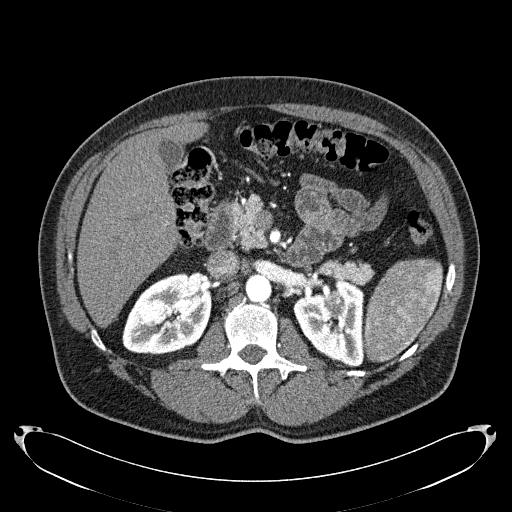
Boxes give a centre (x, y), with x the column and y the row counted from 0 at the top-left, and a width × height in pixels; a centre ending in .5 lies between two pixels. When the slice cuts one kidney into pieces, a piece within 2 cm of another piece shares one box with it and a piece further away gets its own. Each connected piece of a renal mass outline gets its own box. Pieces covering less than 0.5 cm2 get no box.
Arterial-phase contrast-enhanced abdominal CT, axial slice 134 of 279 (counted from the lowest slice); 2.00 mm thick, 0.824 mm per pixel. Boxed on this slice (two kidney boxes and one renal mass box), listed by box centre from the image's left to its right: (1) Box centre (166.5, 313.5), 90 × 82 pixels: right kidney (outlined area 5,482 px, about 37.2 cm2). (2) Box centre (329, 322.5), 73 × 88 pixels: left kidney (outlined area 4,100 px, about 27.9 cm2). (3) Box centre (334, 303.5), 23 × 26 pixels: left renal mass (outlined area 475 px, about 3.2 cm2).
Tube voltage 120 kVp; convolution kernel B31f.